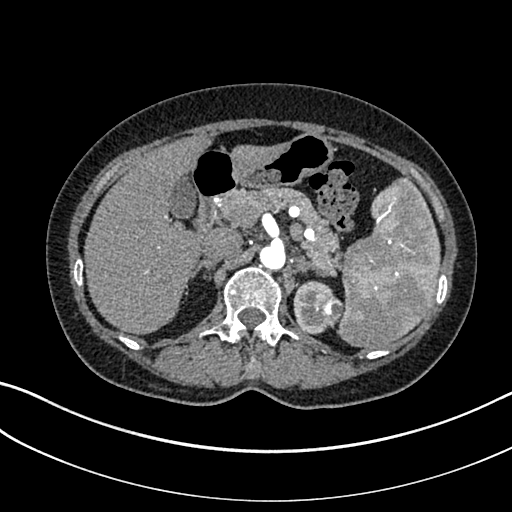
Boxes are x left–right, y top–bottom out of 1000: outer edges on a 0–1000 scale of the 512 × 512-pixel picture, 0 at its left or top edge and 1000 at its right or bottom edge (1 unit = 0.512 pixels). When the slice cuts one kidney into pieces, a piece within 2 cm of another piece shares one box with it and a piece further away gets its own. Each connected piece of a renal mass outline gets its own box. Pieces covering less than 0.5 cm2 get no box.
Slice 235/325 of a contrast-enhanced abdominal CT in the arterial phase, counting up from the lowest; pixel size 0.703 mm, slice thickness 1.00 mm. One kidney box and one renal mass box on this slice; by box centre, from the image's left to its right: (1) Left kidney at x 572–652, y 547–654 out of 1000 (outlined area 1,478 px, about 7.3 cm2). (2) Left renal mass at x 623–672, y 576–639 out of 1000 (outlined area 563 px, about 2.8 cm2).
Tube voltage 100 kVp; convolution kernel I30f.